Arterial-phase contrast-enhanced abdominal CT, axial slice 37 of 86 (counted from the lowest slice); tube voltage 120 kVp, convolution kernel I40f; slices 5.00 mm thick, 0.977 mm per pixel.
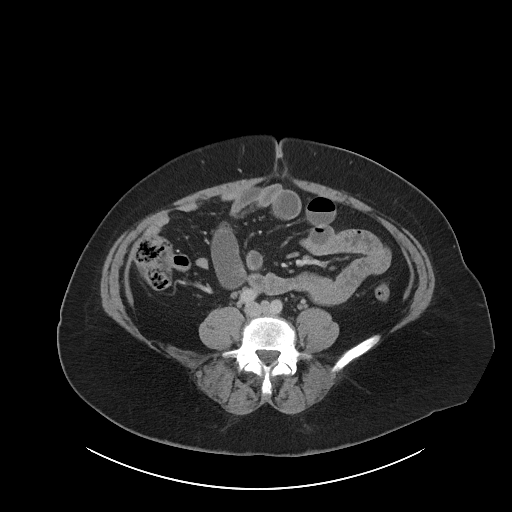
Neither a kidney nor a renal mass is outlined here. Only kidneys and renal masses are outlined anywhere in this scan; other structures are never outlined.